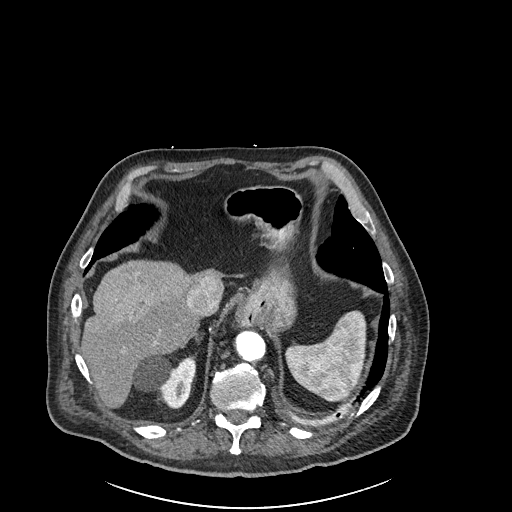
Axial slice 204 of 261 of a contrast-enhanced abdominal CT in the arterial phase (slice 1 is the lowest), 120 kVp, kernel I30f; 2.00 mm slice thickness and 0.939 mm pixels.
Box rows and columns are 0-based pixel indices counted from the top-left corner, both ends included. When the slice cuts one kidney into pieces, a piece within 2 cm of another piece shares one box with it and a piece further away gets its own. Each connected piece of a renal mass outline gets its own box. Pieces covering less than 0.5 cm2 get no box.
Right kidney, box rows 354–407, columns 131–196 (outlined area 2,370 px, about 20.9 cm2). No renal mass is outlined on this slice.